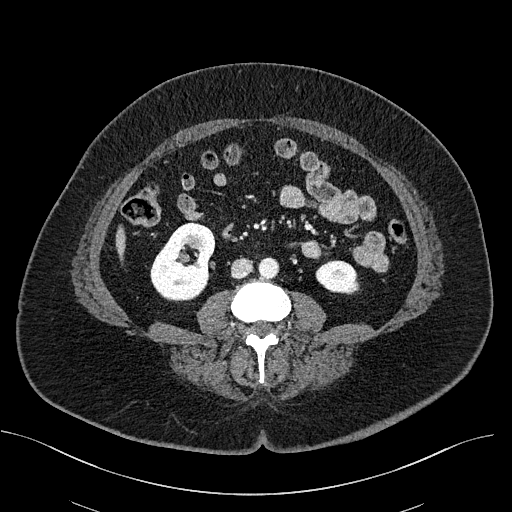
Axial slice 258 of 470 of a contrast-enhanced abdominal CT (slice 1 is the lowest), 100 kVp, kernel I40f; 2.00 mm slice thickness and 0.824 mm pixels.
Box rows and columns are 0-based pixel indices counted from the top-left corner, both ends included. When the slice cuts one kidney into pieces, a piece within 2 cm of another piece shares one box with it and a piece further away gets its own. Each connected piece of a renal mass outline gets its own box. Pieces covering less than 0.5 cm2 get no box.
Two kidney boxes on this slice; by box centre, from the image's left to its right: (1) Right kidney, box rows 221–301, columns 150–215 (outlined area 3,725 px, about 25.3 cm2). (2) Box rows 260–294, columns 315–358: left kidney (outlined area 1,140 px, about 7.7 cm2). No renal mass is outlined on this slice.